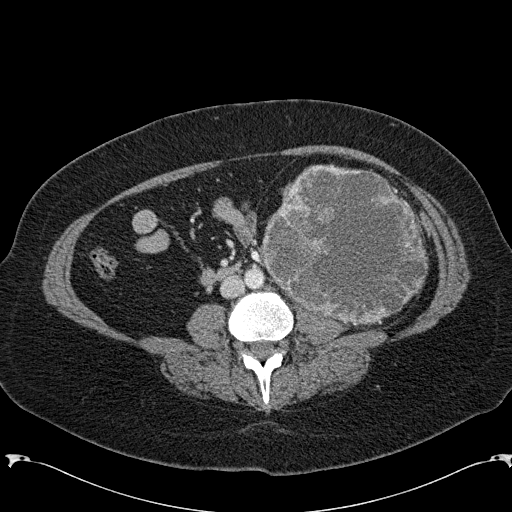
Arterial-phase contrast-enhanced abdominal CT, axial slice 73 of 285 (counted from the lowest slice); tube voltage 120 kVp, convolution kernel B31f; slices 2.00 mm thick, 0.762 mm per pixel.
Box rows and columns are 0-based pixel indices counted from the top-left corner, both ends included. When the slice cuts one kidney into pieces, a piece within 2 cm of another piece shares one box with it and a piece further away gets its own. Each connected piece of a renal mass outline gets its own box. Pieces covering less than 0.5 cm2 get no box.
Left renal mass, box rows 164–326, columns 262–428 (outlined area 20,223 px, about 117.3 cm2); this slice has no kidney outline, though on another slice the same outlined renal mass lies within 1 cm of the kidney.